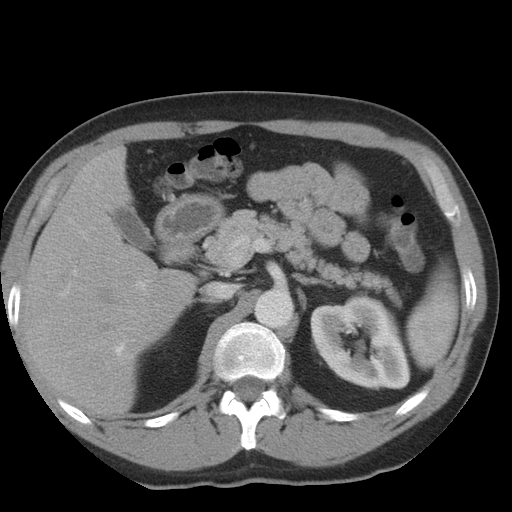
Abdominal CT with intravenous contrast, arterial phase, axial plane, 140 kVp, kernel STANDARD. Slice 24/36 from the bottom of the scan; thickness 5.00 mm; pixel size 0.703 mm.
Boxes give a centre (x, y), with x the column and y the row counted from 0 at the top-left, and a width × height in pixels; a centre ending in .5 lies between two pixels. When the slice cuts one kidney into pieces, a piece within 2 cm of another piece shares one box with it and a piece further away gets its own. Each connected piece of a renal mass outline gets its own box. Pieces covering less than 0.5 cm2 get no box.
Box centre (360, 342), 101 × 95 pixels: left kidney (outlined area 6,934 px, about 34.3 cm2). This slice carries no renal mass outline.